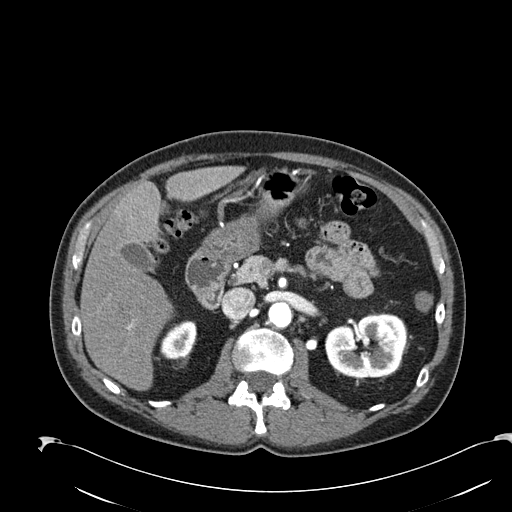
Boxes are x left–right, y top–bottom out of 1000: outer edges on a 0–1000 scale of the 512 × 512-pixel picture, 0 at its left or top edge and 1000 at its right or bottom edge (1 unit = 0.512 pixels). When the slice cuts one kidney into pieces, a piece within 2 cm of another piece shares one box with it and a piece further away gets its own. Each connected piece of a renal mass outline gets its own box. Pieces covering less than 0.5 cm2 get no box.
This is axial slice 136 of 274 (slice 1 is the lowest) of an arterial-phase abdominal CT with contrast; each pixel is 0.809 mm and the slice is 2.00 mm thick. Two boxes on this slice (two kidney boxes), listed by box centre from the image's left to its right. (1) Right kidney at x 313–385, y 625–703 out of 1000 (outlined area 1,089 px, about 7.1 cm2). (2) Left kidney, box x 635–795, y 611–740 out of 1000 (outlined area 4,241 px, about 27.7 cm2). No renal mass outline on this slice.
Acquired at 120 kVp and reconstructed with the B30f kernel.